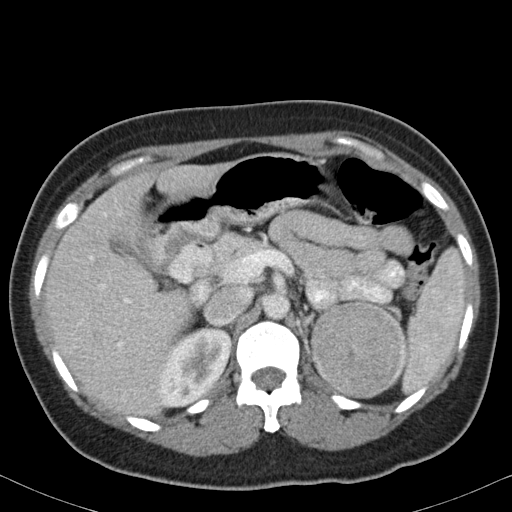
Abdominal CT with intravenous contrast, arterial phase, axial plane, 120 kVp, kernel B31f. Slice 67/82 from the bottom of the scan; thickness 5.00 mm; pixel size 0.625 mm.
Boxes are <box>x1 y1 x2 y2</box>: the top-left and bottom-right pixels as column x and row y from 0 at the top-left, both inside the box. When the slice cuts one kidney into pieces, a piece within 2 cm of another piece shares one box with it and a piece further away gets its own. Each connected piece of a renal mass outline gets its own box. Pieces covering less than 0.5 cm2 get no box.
Boxed on this slice (one kidney box and one renal mass box), listed by box centre from the image's left to its right: (1) Right kidney at <box>157 326 231 407</box> (outlined area 4,310 px, about 16.8 cm2). (2) Left renal mass: <box>310 302 407 398</box> (outlined area 7,496 px, about 29.3 cm2); it sits over 1 cm from every kidney outline on this slice, but the same outlined renal mass comes within 1 cm of the kidney on another slice.